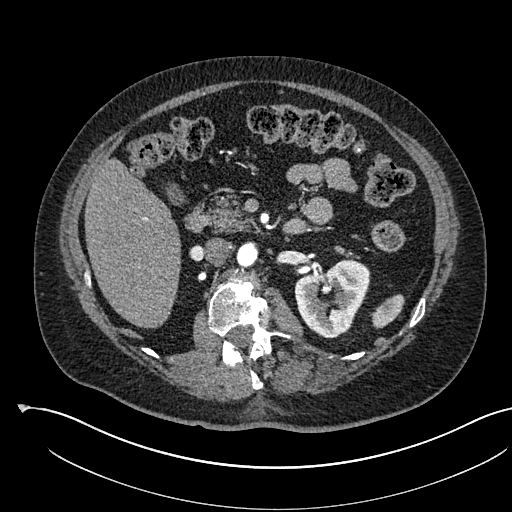
Abdominal CT with intravenous contrast, arterial phase, axial plane, 120 kVp, kernel I30f. Slice 347/541 from the bottom of the scan; thickness 1.00 mm; pixel size 0.834 mm.
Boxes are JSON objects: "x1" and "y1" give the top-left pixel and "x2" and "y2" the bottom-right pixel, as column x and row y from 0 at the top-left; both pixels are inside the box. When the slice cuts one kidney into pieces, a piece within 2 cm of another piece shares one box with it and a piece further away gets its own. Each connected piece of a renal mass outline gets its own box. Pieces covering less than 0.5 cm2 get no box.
Left kidney, box {"x1": 295, "y1": 259, "x2": 370, "y2": 338} (outlined area 4,069 px, about 28.3 cm2). This slice carries no renal mass outline.